One axial slice (216 of 541, counting up from the lowest) of an arterial-phase abdominal CT acquired with 120 kVp, kernel I30f; each pixel is 0.834 mm and the slice is 1.00 mm thick.
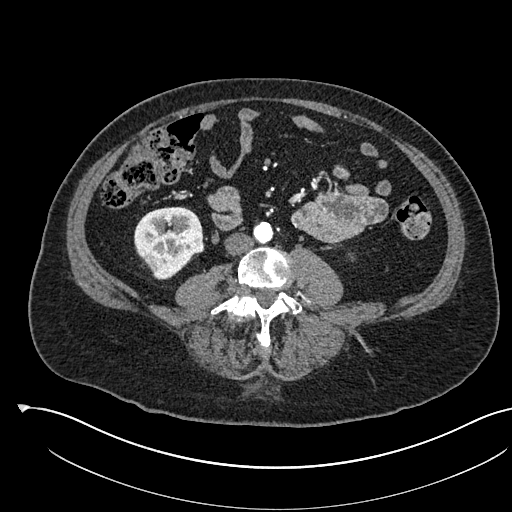
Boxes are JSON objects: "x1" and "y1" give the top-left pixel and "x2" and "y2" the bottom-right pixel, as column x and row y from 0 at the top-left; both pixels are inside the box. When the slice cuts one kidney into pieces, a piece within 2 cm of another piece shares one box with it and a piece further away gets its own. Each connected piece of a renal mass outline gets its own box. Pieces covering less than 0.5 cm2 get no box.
Two boxes on this slice (one kidney box and one renal mass box), listed by box centre from the image's left to its right. (1) Right kidney at {"x1": 134, "y1": 206, "x2": 202, "y2": 279} (outlined area 3,263 px, about 22.7 cm2). (2) Box {"x1": 177, "y1": 228, "x2": 203, "y2": 255}: right renal mass (outlined area 587 px, about 4.1 cm2).